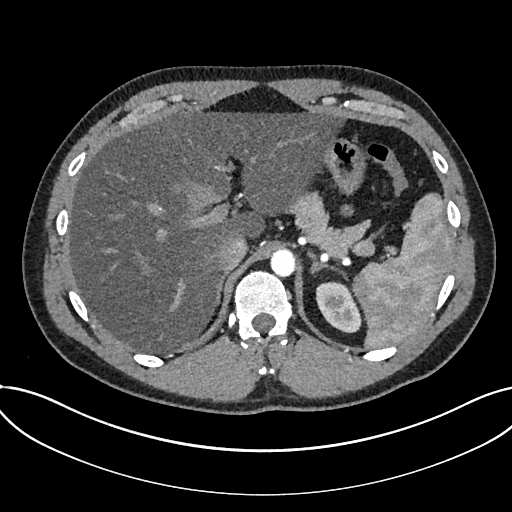
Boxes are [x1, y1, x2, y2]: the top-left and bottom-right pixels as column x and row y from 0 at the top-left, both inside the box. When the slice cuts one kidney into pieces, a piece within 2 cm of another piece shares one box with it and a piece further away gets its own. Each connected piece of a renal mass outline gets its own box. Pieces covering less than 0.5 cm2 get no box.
Slice 572/735 of a contrast-enhanced abdominal CT in the arterial phase, counting up from the lowest; pixel size 0.789 mm, slice thickness 1.00 mm. Kidney, box [315, 281, 361, 333] (outlined area 1,710 px, about 10.6 cm2). This slice carries no renal mass outline.
Tube voltage 120 kVp; convolution kernel I30f.